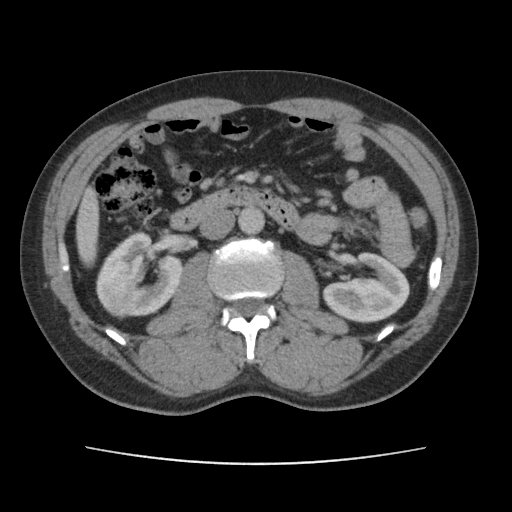
Axial slice 65 of 101 of a contrast-enhanced abdominal CT in the arterial phase (slice 1 is the lowest), 120 kVp, kernel FC14; 5.00 mm slice thickness and 0.755 mm pixels.
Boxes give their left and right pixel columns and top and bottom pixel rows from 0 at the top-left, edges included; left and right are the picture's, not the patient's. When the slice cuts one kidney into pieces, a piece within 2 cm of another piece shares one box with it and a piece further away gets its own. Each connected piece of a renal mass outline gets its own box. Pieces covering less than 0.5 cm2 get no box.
Three boxes on this slice (two kidney boxes and one renal mass box), listed by box centre from the image's left to its right. (1) Right renal mass in the box with left 96, top 268, right 137, bottom 319 (outlined area 1,677 px, about 9.6 cm2). (2) Box with left 98, top 232, right 183, bottom 316: right kidney (outlined area 3,719 px, about 21.2 cm2). (3) Left kidney, the box with left 322, top 252, right 409, bottom 323 (outlined area 4,253 px, about 24.2 cm2).